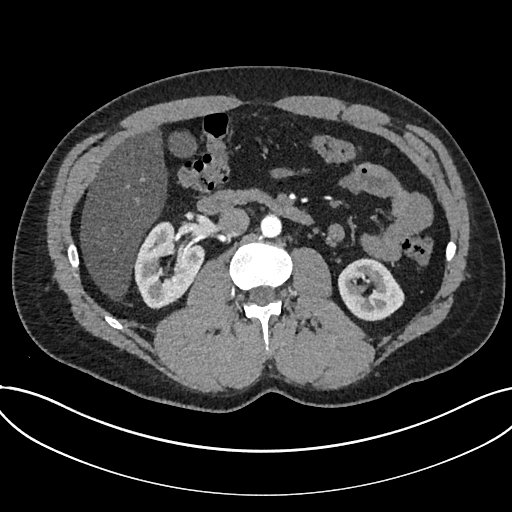
Abdominal CT with intravenous contrast, arterial phase, axial plane, 120 kVp, kernel I30f. Slice 401/735 from the bottom of the scan; thickness 1.00 mm; pixel size 0.789 mm.
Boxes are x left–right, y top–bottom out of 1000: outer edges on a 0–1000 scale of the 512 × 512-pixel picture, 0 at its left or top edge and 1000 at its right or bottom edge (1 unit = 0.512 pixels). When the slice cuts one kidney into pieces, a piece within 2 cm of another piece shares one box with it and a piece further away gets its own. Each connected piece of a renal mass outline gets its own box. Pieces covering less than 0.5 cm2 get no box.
Boxed on this slice (two kidney boxes), listed by box centre from the image's left to its right: (1) Kidney at x 260–400, y 432–605 out of 1000 (outlined area 4,203 px, about 26.2 cm2). (2) Kidney, box x 660–791, y 504–629 out of 1000 (outlined area 3,051 px, about 19.0 cm2). No renal mass is outlined on this slice.